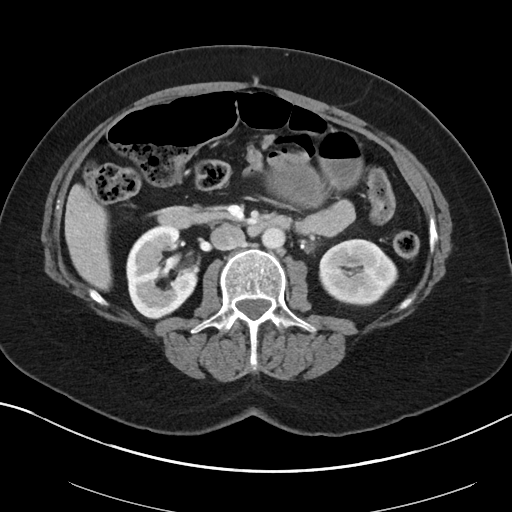
Axial slice 53 of 88 of a contrast-enhanced abdominal CT in the arterial phase (slice 1 is the lowest), 100 kVp, kernel I40f; 5.00 mm slice thickness and 0.705 mm pixels.
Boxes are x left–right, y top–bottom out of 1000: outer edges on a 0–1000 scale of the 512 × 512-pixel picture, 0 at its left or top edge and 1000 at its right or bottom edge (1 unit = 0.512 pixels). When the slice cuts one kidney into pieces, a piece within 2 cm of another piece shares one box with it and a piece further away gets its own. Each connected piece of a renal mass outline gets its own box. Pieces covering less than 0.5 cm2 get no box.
Two kidney boxes on this slice; by box centre, from the image's left to its right: (1) Right kidney at x 246–387, y 439–625 out of 1000 (outlined area 4,909 px, about 24.4 cm2). (2) Left kidney, box x 623–777, y 465–598 out of 1000 (outlined area 4,065 px, about 20.2 cm2). This slice carries no renal mass outline.